One axial slice (221 of 670, counting up from the lowest) of an arterial-phase abdominal CT acquired with 120 kVp, kernel I30f; each pixel is 0.861 mm and the slice is 1.00 mm thick.
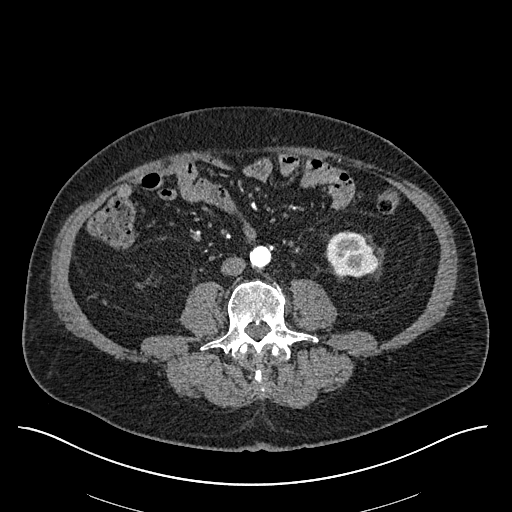
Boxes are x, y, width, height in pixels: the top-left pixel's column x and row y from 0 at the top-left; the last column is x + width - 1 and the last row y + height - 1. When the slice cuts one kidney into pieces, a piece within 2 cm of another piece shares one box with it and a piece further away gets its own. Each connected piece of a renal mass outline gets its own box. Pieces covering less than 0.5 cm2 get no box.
Box x 326, y 231, width 53, height 46: left kidney (outlined area 1,876 px, about 13.9 cm2). No renal mass is outlined on this slice.